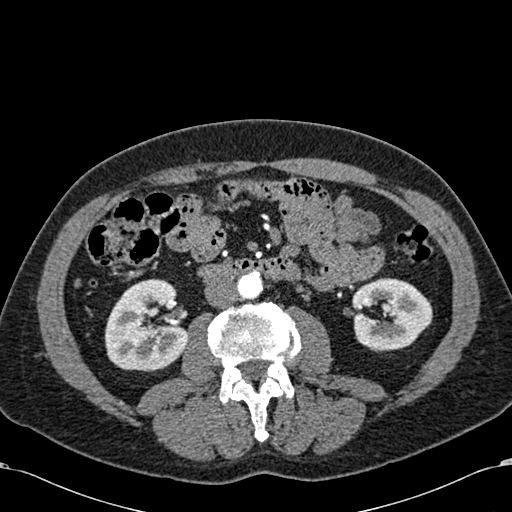
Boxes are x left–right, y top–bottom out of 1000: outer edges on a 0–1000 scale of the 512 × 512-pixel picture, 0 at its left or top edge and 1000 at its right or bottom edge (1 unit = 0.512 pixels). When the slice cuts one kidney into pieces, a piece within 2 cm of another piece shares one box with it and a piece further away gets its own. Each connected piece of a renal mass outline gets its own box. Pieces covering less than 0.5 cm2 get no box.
Slice 295/581 of a contrast-enhanced abdominal CT in the arterial phase, counting up from the lowest; pixel size 0.713 mm, slice thickness 1.00 mm. Two boxes on this slice (two kidney boxes), listed by box centre from the image's left to its right. (1) Right kidney at x 203–369, y 543–727 out of 1000 (outlined area 5,928 px, about 30.1 cm2). (2) Left kidney, box x 686–846, y 543–688 out of 1000 (outlined area 4,452 px, about 22.6 cm2). No renal mass outline on this slice.
Scan settings: 120 kVp, B30f reconstruction kernel.